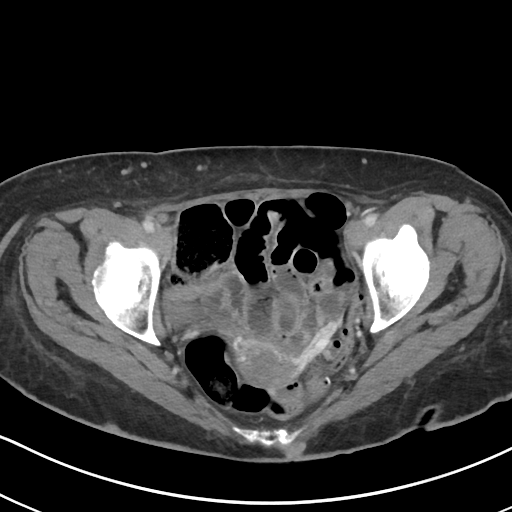
Arterial-phase contrast-enhanced abdominal CT, axial slice 18 of 80 (counted from the lowest slice); tube voltage 100 kVp, convolution kernel I40f; slices 5.00 mm thick, 0.648 mm per pixel.
This slice carries no outline: it lies beyond the outlined kidneys and beyond every outlined renal mass. Other organs are not outlined in this scan.